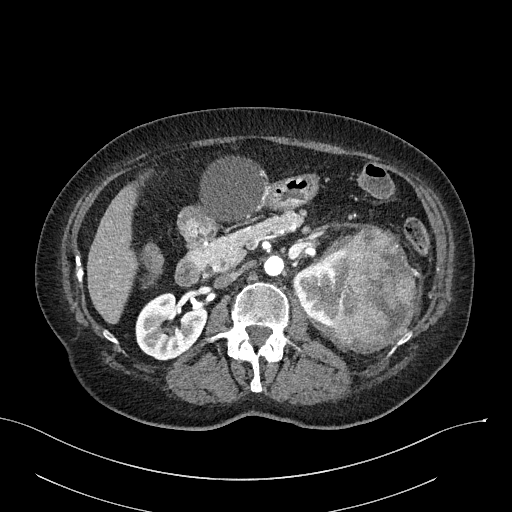
One axial slice (142 of 316, counting up from the lowest) of an arterial-phase abdominal CT acquired with 100 kVp, kernel I40f; each pixel is 0.840 mm and the slice is 2.00 mm thick.
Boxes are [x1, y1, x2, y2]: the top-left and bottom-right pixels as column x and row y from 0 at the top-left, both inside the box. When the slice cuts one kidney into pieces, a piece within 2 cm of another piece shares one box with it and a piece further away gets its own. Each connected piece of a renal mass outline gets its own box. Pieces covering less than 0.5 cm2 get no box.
Boxed on this slice (two kidney boxes and one renal mass box), listed by box centre from the image's left to its right: (1) Box [135, 291, 207, 360]: right kidney (outlined area 3,512 px, about 24.8 cm2). (2) Left kidney at [292, 247, 350, 327] (outlined area 2,973 px, about 21.0 cm2). (3) Left renal mass, box [322, 224, 415, 353] (outlined area 7,882 px, about 55.6 cm2).